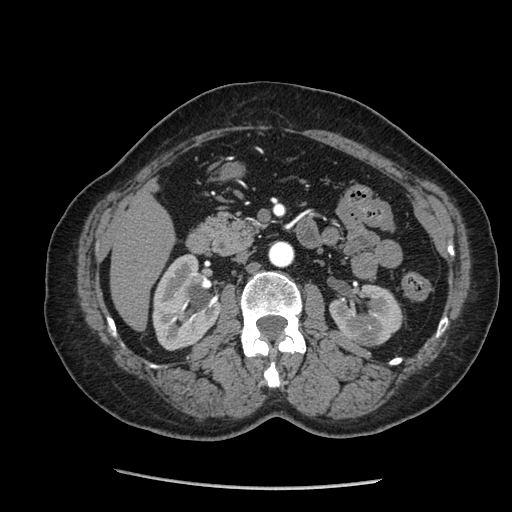
One axial slice (122 of 233, counting up from the lowest) of an arterial-phase abdominal CT acquired with 120 kVp, kernel STANDARD; each pixel is 0.703 mm and the slice is 1.25 mm thick.
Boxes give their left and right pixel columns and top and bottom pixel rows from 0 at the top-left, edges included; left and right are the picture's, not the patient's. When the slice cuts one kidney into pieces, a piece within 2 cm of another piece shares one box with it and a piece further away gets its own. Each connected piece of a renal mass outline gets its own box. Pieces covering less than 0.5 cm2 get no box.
Three boxes on this slice (two kidney boxes and one renal mass box), listed by box centre from the image's left to its right. (1) Right kidney in the box with left 152, top 254, right 220, bottom 350 (outlined area 4,773 px, about 23.6 cm2). (2) Left renal mass, the box with left 348, top 315, right 380, bottom 341 (outlined area 714 px, about 3.5 cm2). (3) Left kidney in the box with left 329, top 283, right 404, bottom 346 (outlined area 2,607 px, about 12.9 cm2).